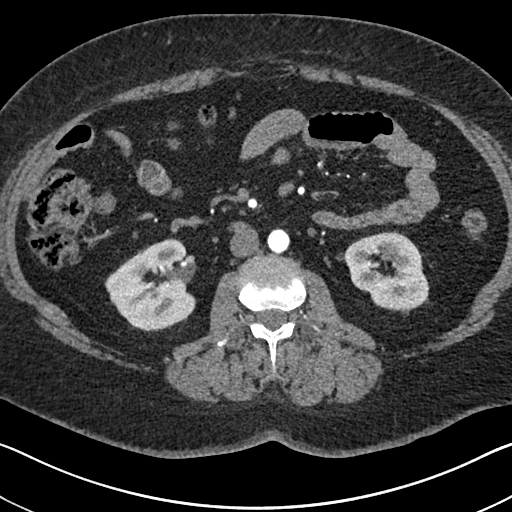
Axial slice 356 of 591 of a contrast-enhanced abdominal CT in the arterial phase (slice 1 is the lowest), 140 kVp, kernel I30f; 1.00 mm slice thickness and 0.703 mm pixels.
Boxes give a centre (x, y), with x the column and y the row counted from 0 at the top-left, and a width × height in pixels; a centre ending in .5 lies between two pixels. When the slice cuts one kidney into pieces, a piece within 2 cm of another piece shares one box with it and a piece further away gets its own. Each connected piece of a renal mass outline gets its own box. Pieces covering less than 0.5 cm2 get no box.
Boxed on this slice (two kidney boxes), listed by box centre from the image's left to its right: (1) Box centre (151, 285), 91 × 93 pixels: right kidney (outlined area 5,908 px, about 29.2 cm2). (2) Left kidney, box centre (386.5, 271), 86 × 79 pixels (outlined area 4,807 px, about 23.8 cm2). No renal mass is outlined on this slice.